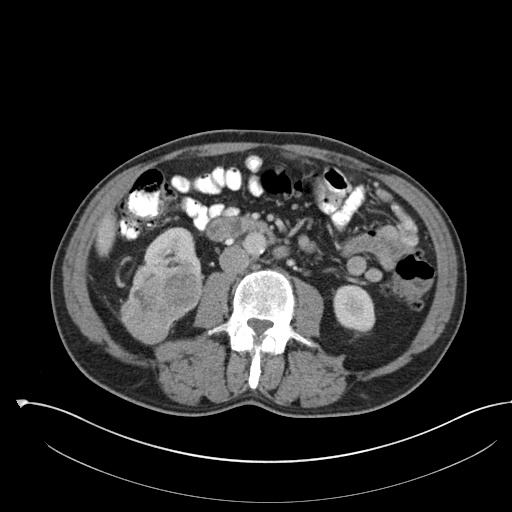
Abdominal CT with intravenous contrast, axial plane, 100 kVp, kernel I30f. Slice 58/142 from the bottom of the scan; thickness 5.00 mm; pixel size 0.855 mm.
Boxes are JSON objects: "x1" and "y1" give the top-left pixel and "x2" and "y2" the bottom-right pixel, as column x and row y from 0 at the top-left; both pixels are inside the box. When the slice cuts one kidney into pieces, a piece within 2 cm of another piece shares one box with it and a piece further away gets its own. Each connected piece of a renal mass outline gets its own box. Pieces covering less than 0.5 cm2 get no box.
Three boxes on this slice (two kidney boxes and one renal mass box), listed by box centre from the image's left to its right. (1) Right renal mass, box {"x1": 119, "y1": 254, "x2": 204, "y2": 345} (outlined area 4,981 px, about 36.5 cm2). (2) Box {"x1": 143, "y1": 227, "x2": 196, "y2": 268}: right kidney (outlined area 1,535 px, about 11.2 cm2). (3) Left kidney, box {"x1": 333, "y1": 284, "x2": 375, "y2": 331} (outlined area 1,643 px, about 12.0 cm2).